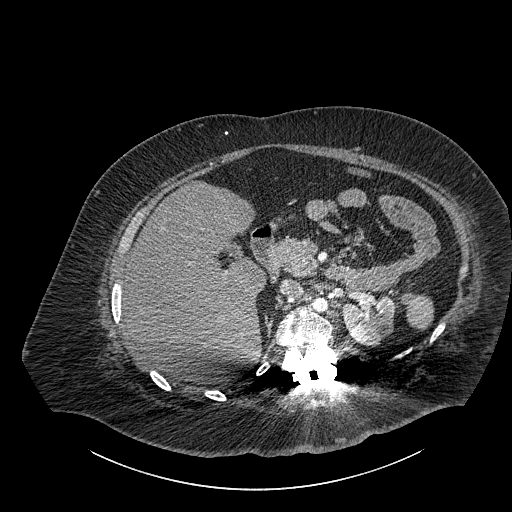
Axial slice 599 of 834 of a contrast-enhanced abdominal CT (slice 1 is the lowest), 140 kVp, kernel I30f; 1.00 mm slice thickness and 0.977 mm pixels.
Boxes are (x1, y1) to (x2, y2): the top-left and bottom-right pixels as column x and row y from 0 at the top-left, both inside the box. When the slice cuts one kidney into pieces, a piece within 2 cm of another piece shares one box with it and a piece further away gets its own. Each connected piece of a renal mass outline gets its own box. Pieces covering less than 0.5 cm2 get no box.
Box (342, 295) to (394, 345): left part of the midline-crossing kidney (outlined area 2,053 px, about 19.6 cm2). No renal mass is outlined on this slice.